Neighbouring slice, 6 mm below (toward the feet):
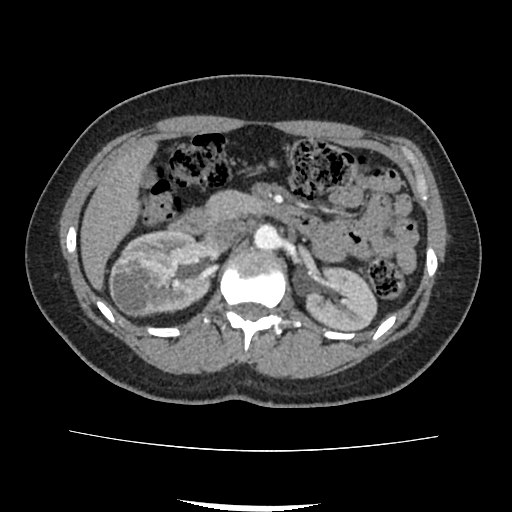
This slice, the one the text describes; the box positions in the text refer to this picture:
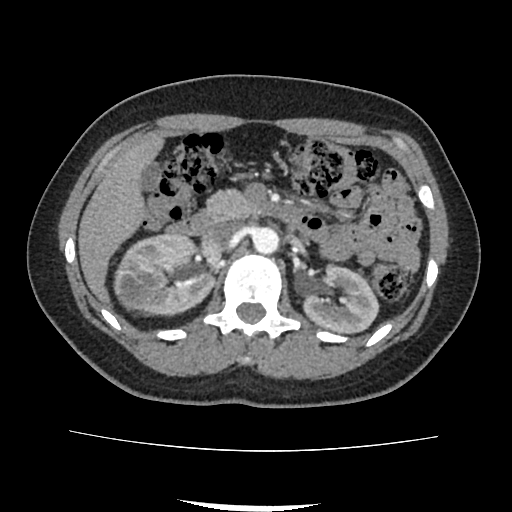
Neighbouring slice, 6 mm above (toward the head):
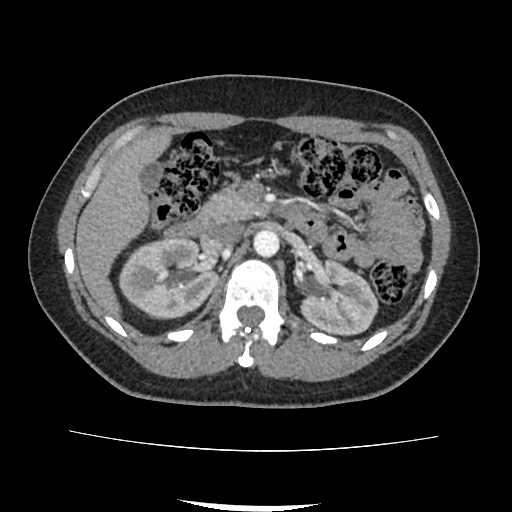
Contrast-enhanced abdominal CT, axial slice 55 of 103 (counted from the lowest slice); tube voltage 120 kVp, convolution kernel FC18; slices 3.00 mm thick, 0.714 mm per pixel.
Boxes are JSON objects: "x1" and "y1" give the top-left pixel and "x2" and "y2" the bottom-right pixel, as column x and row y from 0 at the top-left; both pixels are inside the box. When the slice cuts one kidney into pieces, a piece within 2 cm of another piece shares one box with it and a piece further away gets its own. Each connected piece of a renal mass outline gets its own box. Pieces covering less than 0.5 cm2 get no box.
Boxed on this slice (two kidney boxes and one renal mass box), listed by box centre from the image's left to its right: (1) Right renal mass at {"x1": 121, "y1": 268, "x2": 158, "y2": 303} (outlined area 1,067 px, about 5.4 cm2). (2) Box {"x1": 114, "y1": 233, "x2": 215, "y2": 315}: right kidney (outlined area 5,444 px, about 27.8 cm2). (3) Box {"x1": 302, "y1": 262, "x2": 379, "y2": 333}: left kidney (outlined area 3,923 px, about 20.0 cm2). This slice lies near the end of the right renal mass toward the head; the slices 6 mm below and 6 mm above it are shown too, and the boxes mark positions on this slice only.